Abdominal CT with intravenous contrast, arterial phase, axial plane, 120 kVp, kernel I26f. Slice 628/987 from the bottom of the scan; thickness 1.00 mm; pixel size 0.977 mm.
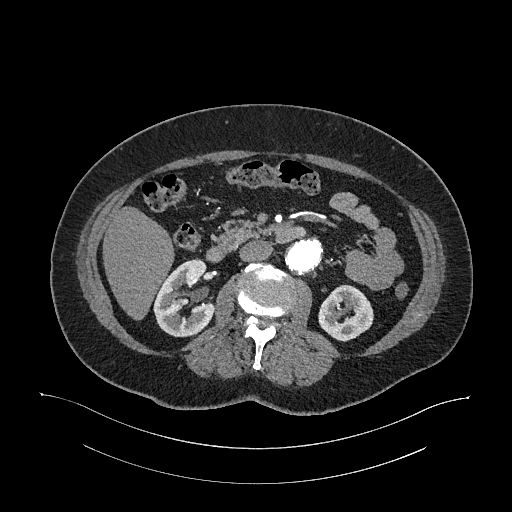
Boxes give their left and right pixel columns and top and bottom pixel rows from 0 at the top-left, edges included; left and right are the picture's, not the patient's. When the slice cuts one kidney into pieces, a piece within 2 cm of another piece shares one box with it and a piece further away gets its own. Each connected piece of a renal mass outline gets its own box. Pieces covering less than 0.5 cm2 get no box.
Boxed on this slice (two kidney boxes), listed by box centre from the image's left to its right: (1) Right kidney in the box with left 153, top 258, right 214, bottom 337 (outlined area 3,383 px, about 32.3 cm2). (2) Left kidney in the box with left 318, top 284, right 373, bottom 341 (outlined area 2,317 px, about 22.1 cm2). No renal mass outline on this slice.